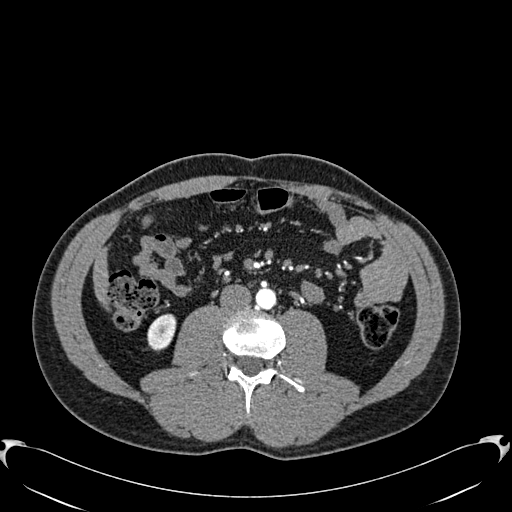
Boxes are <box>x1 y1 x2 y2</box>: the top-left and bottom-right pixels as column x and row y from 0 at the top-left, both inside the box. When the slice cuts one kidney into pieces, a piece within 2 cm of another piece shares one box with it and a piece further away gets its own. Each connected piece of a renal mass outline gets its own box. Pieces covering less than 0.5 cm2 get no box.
Slice 267/512 of a contrast-enhanced abdominal CT in the arterial phase, counting up from the lowest; pixel size 0.771 mm, slice thickness 1.00 mm. Right kidney at <box>147 313 176 351</box> (outlined area 847 px, about 5.0 cm2). No renal mass is outlined on this slice.
Scan settings: 120 kVp, B30f reconstruction kernel.